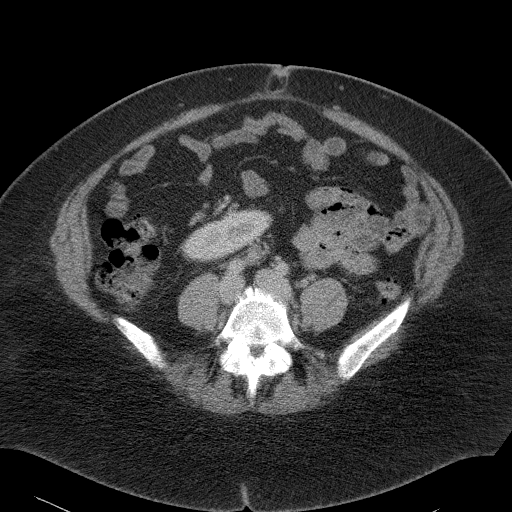
Contrast-enhanced abdominal CT, axial slice 42 of 90 (counted from the lowest slice); tube voltage 120 kVp, convolution kernel B41f; slices 5.00 mm thick, 0.781 mm per pixel.
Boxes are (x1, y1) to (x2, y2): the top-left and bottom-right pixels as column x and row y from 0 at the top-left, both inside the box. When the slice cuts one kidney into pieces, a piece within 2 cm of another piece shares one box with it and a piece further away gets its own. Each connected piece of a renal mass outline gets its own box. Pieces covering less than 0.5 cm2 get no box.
Right kidney, box (178, 208) to (272, 262) (outlined area 3,108 px, about 19.0 cm2). No renal mass outline on this slice.